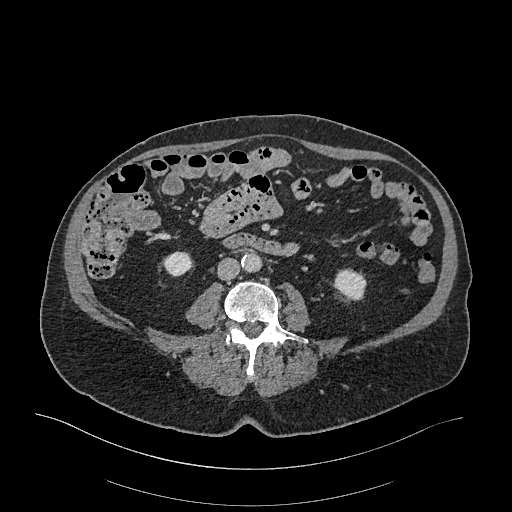
Arterial-phase contrast-enhanced abdominal CT, axial slice 72 of 470 (counted from the lowest slice); tube voltage 120 kVp, convolution kernel I26f; slices 1.00 mm thick, 0.938 mm per pixel.
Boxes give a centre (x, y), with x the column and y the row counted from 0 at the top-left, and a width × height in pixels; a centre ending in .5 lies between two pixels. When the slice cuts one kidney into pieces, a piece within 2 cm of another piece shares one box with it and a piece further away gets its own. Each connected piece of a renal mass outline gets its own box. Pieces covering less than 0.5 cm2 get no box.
Two kidney boxes on this slice; by box centre, from the image's left to its right: (1) Box centre (177, 263.5), 31 × 26 pixels: right kidney (outlined area 595 px, about 5.2 cm2). (2) Box centre (350, 283), 33 × 31 pixels: left kidney (outlined area 763 px, about 6.7 cm2). No renal mass outline on this slice.